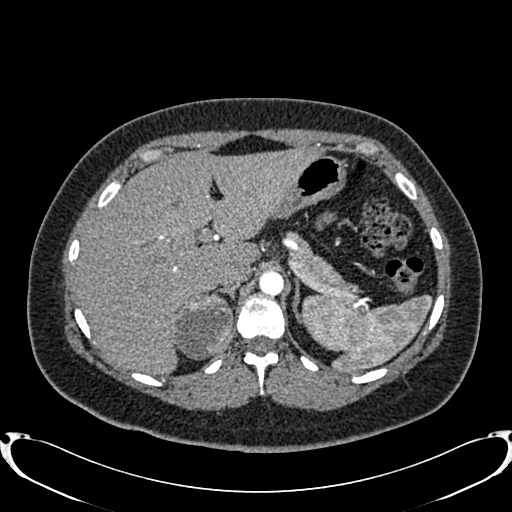
Abdominal CT with intravenous contrast, arterial phase, axial plane, 120 kVp, kernel B20f. Slice 605/719 from the bottom of the scan; thickness 1.00 mm; pixel size 0.766 mm.
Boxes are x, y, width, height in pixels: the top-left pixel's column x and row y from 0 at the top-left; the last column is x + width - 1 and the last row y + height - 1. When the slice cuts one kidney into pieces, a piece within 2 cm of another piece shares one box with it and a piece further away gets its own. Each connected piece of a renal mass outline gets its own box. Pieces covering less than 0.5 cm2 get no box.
Right renal mass, box x 171, y 293, width 63, height 67 (outlined area 3,218 px, about 18.9 cm2); no kidney outline appears on this slice, but the same outlined renal mass comes within 1 cm of the kidney on another slice.